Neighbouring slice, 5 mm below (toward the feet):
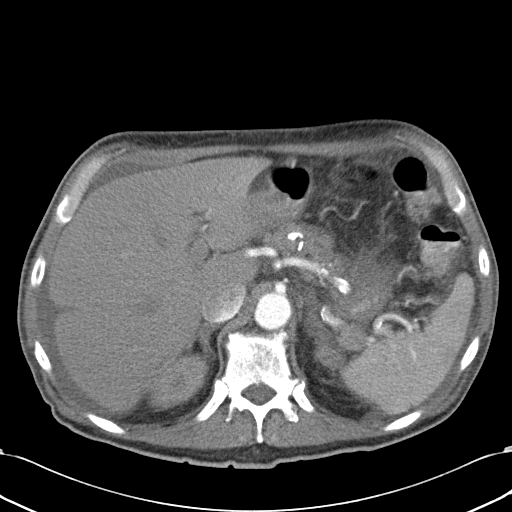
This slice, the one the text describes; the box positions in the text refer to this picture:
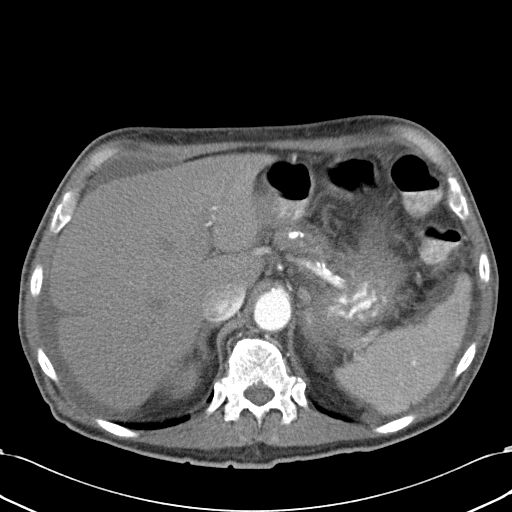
One axial slice (27 of 43, counting up from the lowest) of a contrast-enhanced abdominal CT acquired with 120 kVp, kernel B31f; each pixel is 0.701 mm and the slice is 5.00 mm thick.
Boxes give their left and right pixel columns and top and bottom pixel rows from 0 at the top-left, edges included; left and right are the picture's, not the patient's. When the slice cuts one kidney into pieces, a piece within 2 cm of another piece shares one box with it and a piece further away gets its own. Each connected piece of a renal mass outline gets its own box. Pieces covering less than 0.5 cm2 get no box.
Boxed on this slice (one kidney box and two renal mass boxes), listed by box centre from the image's left to its right: (1) Box with left 170, top 365, right 199, bottom 399: right kidney (outlined area 747 px, about 3.7 cm2). (2) Box with left 315, top 346, right 330, bottom 362: left renal mass (outlined area 209 px, about 1.0 cm2); it sits over 1 cm from every kidney outline on this slice, but the same outlined renal mass comes within 1 cm of the kidney on another slice. (3) Left renal mass in the box with left 335, top 327, right 359, bottom 349 (outlined area 453 px, about 2.2 cm2); here it is more than 1 cm from any kidney outline, though on another slice the same outlined renal mass lies within 1 cm of the kidney. This slice lies near the end of the left renal mass toward the head; the slice 5 mm below it is shown too, and the boxes mark positions on this slice only.